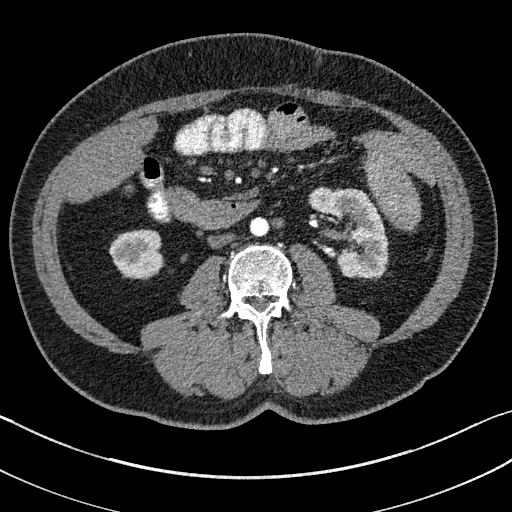
Axial slice 63 of 195 of a contrast-enhanced abdominal CT in the arterial phase (slice 1 is the lowest), 100 kVp, kernel I31f; 1.50 mm slice thickness and 0.707 mm pixels.
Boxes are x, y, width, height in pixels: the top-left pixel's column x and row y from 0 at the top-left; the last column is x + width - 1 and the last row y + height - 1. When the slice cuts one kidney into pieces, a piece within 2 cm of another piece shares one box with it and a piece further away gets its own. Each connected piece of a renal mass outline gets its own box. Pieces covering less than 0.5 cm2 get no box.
Boxed on this slice (two kidney boxes), listed by box centre from the image's left to its right: (1) Right kidney at x 109, y 230, width 55, height 49 (outlined area 2,110 px, about 10.5 cm2). (2) Left kidney, box x 309, y 187, width 79, height 92 (outlined area 4,608 px, about 23.0 cm2). No renal mass outline on this slice.